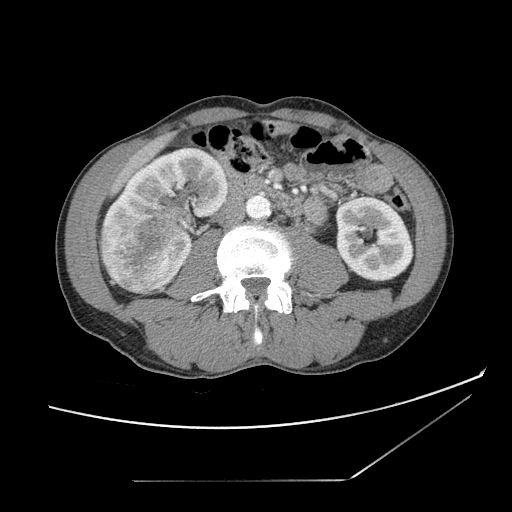
Axial slice 48 of 121 of a contrast-enhanced abdominal CT (slice 1 is the lowest), 120 kVp, kernel STANDARD; 2.50 mm slice thickness and 0.742 mm pixels.
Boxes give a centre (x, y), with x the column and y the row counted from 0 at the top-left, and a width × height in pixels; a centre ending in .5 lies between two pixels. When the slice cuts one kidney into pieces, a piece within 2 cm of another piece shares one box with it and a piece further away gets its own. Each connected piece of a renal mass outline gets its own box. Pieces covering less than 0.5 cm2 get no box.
Two kidney boxes and one renal mass box on this slice; by box centre, from the image's left to its right: (1) Box centre (148, 254), 95 × 81 pixels: right renal mass (outlined area 5,142 px, about 28.3 cm2). (2) Right kidney in a box with centre (164, 198), 129 × 105 pixels (outlined area 7,590 px, about 41.8 cm2). (3) Box centre (374, 239), 79 × 87 pixels: left kidney (outlined area 5,280 px, about 29.1 cm2).